Axial slice 50 of 121 of a contrast-enhanced abdominal CT in the arterial phase (slice 1 is the lowest), 120 kVp, kernel STANDARD; 2.50 mm slice thickness and 0.861 mm pixels.
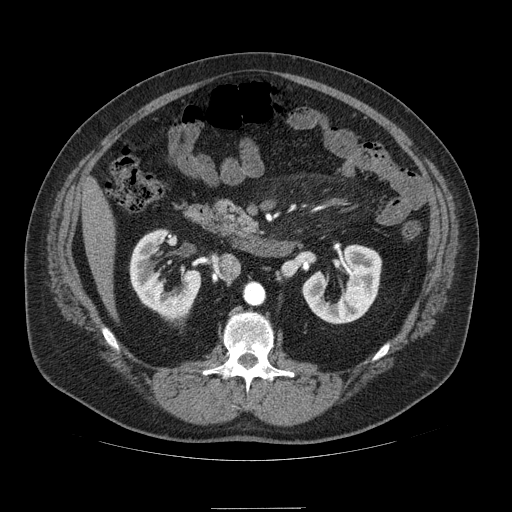
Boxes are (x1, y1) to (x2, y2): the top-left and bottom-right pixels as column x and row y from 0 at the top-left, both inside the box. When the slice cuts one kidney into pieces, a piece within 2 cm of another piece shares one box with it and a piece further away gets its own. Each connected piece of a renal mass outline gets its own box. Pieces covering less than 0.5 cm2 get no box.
Boxed on this slice (two kidney boxes and one renal mass box), listed by box centre from the image's left to its right: (1) Box (129, 229) to (200, 317): right kidney (outlined area 3,169 px, about 23.5 cm2). (2) Box (164, 300) to (185, 319): right renal mass (outlined area 365 px, about 2.7 cm2). (3) Left kidney, box (302, 244) to (381, 323) (outlined area 3,865 px, about 28.7 cm2).